Arterial-phase contrast-enhanced abdominal CT, axial slice 21 of 68 (counted from the lowest slice); tube voltage 120 kVp, convolution kernel B31f; slices 5.00 mm thick, 0.961 mm per pixel.
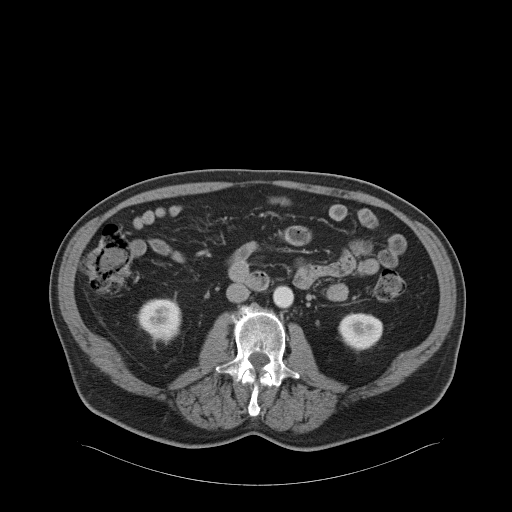
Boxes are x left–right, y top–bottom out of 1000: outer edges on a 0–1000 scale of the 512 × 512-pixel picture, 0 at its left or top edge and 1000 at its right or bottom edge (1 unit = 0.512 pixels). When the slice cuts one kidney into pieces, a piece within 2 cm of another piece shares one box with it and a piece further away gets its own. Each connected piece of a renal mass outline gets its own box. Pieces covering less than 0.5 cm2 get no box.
Two kidney boxes on this slice; by box centre, from the image's left to its right: (1) Box x 266–355, y 582–664 out of 1000: right kidney (outlined area 1,488 px, about 13.7 cm2). (2) Left kidney, box x 660–750, y 609–684 out of 1000 (outlined area 1,337 px, about 12.3 cm2). No renal mass is outlined on this slice.